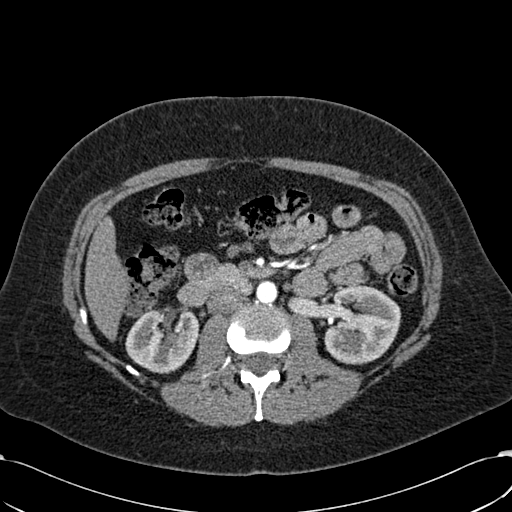
Axial slice 336 of 532 of a contrast-enhanced abdominal CT in the arterial phase (slice 1 is the lowest), 120 kVp, kernel B30f; 1.00 mm slice thickness and 0.713 mm pixels.
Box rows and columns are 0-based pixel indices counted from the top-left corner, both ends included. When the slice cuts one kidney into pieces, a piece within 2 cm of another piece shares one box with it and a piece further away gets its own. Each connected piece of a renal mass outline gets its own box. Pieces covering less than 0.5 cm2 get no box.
Two kidney boxes on this slice; by box centre, from the image's left to its right: (1) Right kidney, box rows 308–373, columns 125–199 (outlined area 3,731 px, about 19.0 cm2). (2) Box rows 285–364, columns 323–400: left kidney (outlined area 4,814 px, about 24.5 cm2). No renal mass is outlined on this slice.